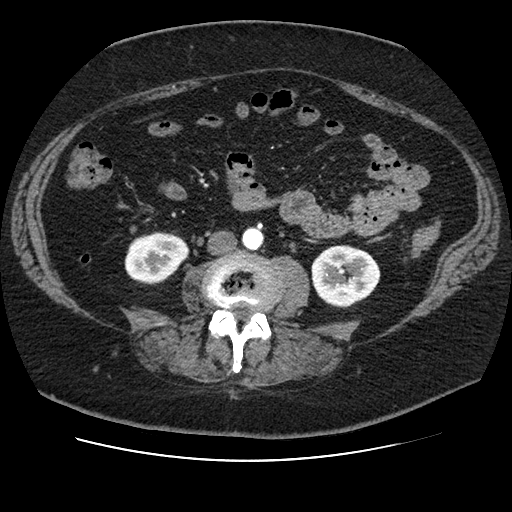
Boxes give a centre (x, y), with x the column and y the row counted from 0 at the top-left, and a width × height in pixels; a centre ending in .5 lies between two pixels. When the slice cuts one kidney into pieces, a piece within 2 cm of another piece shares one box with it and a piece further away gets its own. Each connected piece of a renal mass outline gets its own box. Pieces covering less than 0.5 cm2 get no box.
Slice 28/106 of a contrast-enhanced abdominal CT in the arterial phase, counting up from the lowest; pixel size 0.742 mm, slice thickness 2.50 mm. Two kidney boxes on this slice; by box centre, from the image's left to its right: (1) Right kidney, box centre (156.5, 258), 66 × 53 pixels (outlined area 2,581 px, about 14.2 cm2). (2) Left kidney in a box with centre (345.5, 276.5), 70 × 64 pixels (outlined area 3,381 px, about 18.6 cm2). No renal mass outline on this slice.
Tube voltage 120 kVp; convolution kernel STANDARD.